Axial slice 76 of 101 of a contrast-enhanced abdominal CT (slice 1 is the lowest), 100 kVp, kernel I40f; 5.00 mm slice thickness and 0.879 mm pixels.
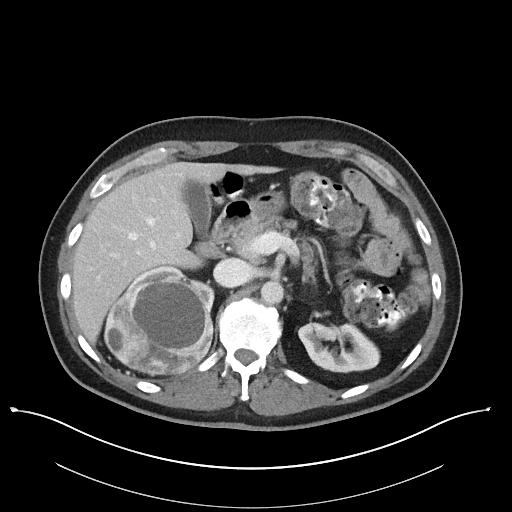
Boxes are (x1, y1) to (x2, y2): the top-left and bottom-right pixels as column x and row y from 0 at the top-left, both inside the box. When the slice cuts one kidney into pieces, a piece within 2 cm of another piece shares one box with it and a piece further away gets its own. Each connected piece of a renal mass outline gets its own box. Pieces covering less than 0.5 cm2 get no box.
Three boxes on this slice (two kidney boxes and one renal mass box), listed by box centre from the image's left to its right. (1) Right renal mass, box (104, 274) to (213, 375) (outlined area 8,656 px, about 66.9 cm2). (2) Box (129, 266) to (214, 314): right kidney (outlined area 757 px, about 5.8 cm2). (3) Left kidney, box (297, 323) to (380, 373) (outlined area 3,012 px, about 23.3 cm2).